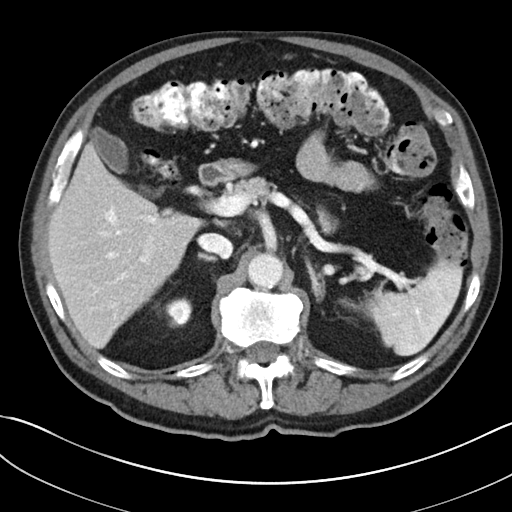
Axial slice 146 of 269 of a contrast-enhanced abdominal CT (slice 1 is the lowest), 100 kVp, kernel I30f; 5.00 mm slice thickness and 0.732 mm pixels.
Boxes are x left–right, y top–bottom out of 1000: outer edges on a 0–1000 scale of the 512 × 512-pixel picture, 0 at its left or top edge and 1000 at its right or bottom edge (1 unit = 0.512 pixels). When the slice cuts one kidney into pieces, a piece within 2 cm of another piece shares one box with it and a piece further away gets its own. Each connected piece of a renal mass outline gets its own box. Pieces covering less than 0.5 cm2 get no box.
Right kidney at x 318–377, y 580–639 out of 1000 (outlined area 650 px, about 3.5 cm2). This slice carries no renal mass outline.